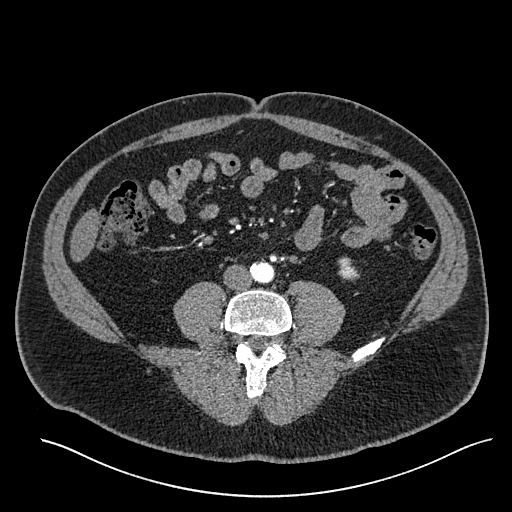
Abdominal CT with intravenous contrast, arterial phase, axial plane, 120 kVp, kernel I30f. Slice 181/527 from the bottom of the scan; thickness 1.00 mm; pixel size 0.859 mm.
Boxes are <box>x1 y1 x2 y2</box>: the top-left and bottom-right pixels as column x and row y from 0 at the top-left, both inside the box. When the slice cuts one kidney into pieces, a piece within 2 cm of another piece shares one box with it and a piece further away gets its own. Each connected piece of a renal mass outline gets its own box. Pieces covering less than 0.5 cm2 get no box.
Left kidney at <box>337 257 359 280</box> (outlined area 371 px, about 2.7 cm2). This slice carries no renal mass outline.